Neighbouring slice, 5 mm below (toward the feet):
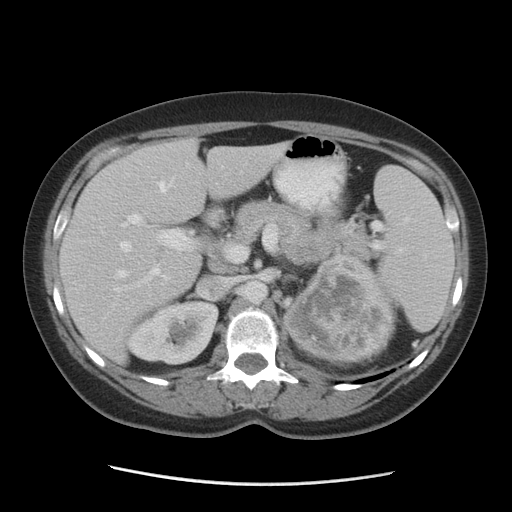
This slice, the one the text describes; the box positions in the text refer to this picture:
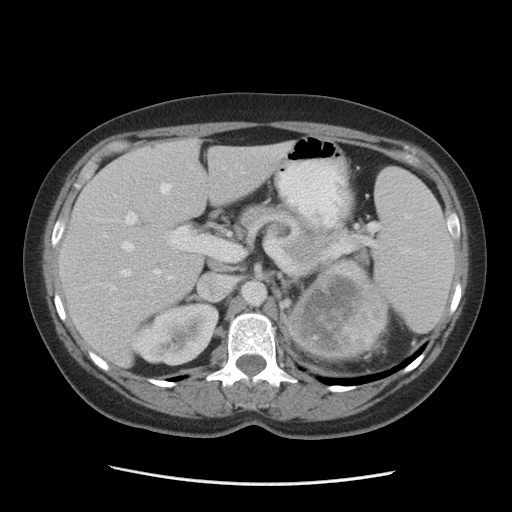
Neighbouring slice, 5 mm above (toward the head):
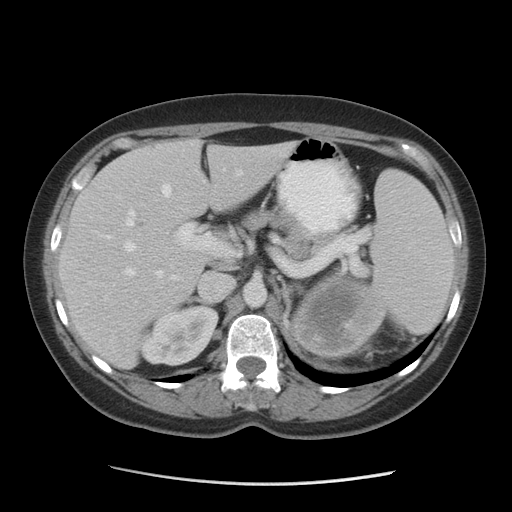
Axial slice 62 of 84 of a contrast-enhanced abdominal CT (slice 1 is the lowest), 140 kVp, kernel STANDARD; 5.00 mm slice thickness and 0.717 mm pixels.
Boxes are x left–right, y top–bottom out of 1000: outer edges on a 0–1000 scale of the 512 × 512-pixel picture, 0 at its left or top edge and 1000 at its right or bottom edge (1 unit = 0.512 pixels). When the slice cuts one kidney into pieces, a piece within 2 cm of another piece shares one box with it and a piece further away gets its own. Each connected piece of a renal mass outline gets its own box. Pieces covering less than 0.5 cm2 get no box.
Two kidney boxes and one renal mass box on this slice; by box centre, from the image's left to its right: (1) Box x 256–428, y 590–715 out of 1000: right kidney (outlined area 4,080 px, about 21.0 cm2). (2) Left kidney, box x 563–756, y 502–709 out of 1000 (outlined area 4,205 px, about 21.6 cm2). (3) Left renal mass, box x 625–760, y 559–707 out of 1000 (outlined area 3,402 px, about 17.5 cm2). This slice is near the end of the left renal mass toward the head, so the slices 5 mm below and 5 mm above it are shown as well; the boxes refer to this slice only.